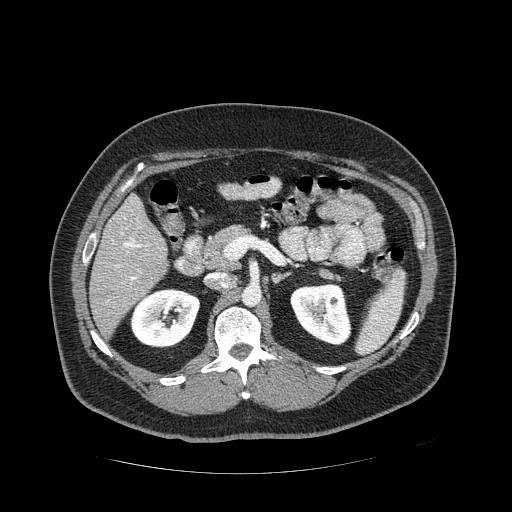
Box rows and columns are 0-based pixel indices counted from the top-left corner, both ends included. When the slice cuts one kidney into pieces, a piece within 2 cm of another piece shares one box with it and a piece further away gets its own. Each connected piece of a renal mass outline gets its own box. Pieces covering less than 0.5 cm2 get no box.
Arterial-phase contrast-enhanced abdominal CT, axial slice 272 of 389 (counted from the lowest slice); 1.25 mm thick, 0.869 mm per pixel. Boxed on this slice (two kidney boxes), listed by box centre from the image's left to its right: (1) Right kidney, box rows 288–348, columns 130–200 (outlined area 3,233 px, about 24.4 cm2). (2) Box rows 282–345, columns 290–351: left kidney (outlined area 2,885 px, about 21.8 cm2). No renal mass is outlined on this slice.
Scan settings: 120 kVp, STANDARD reconstruction kernel.